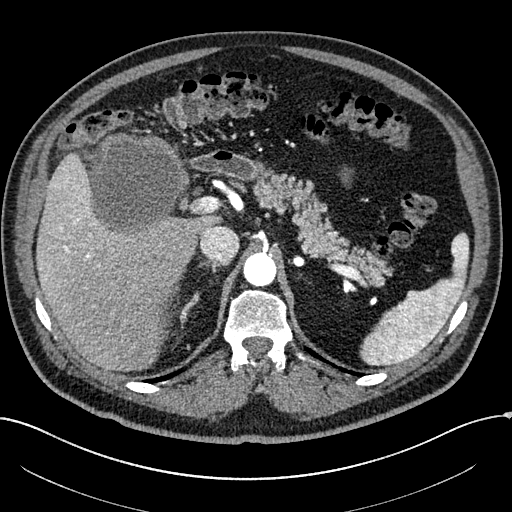
One axial slice (178 of 304, counting up from the lowest) of an arterial-phase abdominal CT acquired with 100 kVp, kernel I30f; each pixel is 0.809 mm and the slice is 2.00 mm thick.
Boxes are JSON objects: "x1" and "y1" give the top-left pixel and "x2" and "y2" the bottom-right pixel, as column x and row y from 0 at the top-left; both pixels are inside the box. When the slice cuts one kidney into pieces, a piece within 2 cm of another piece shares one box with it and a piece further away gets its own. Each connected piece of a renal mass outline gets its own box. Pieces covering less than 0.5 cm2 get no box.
Box {"x1": 78, "y1": 132, "x2": 189, "y2": 238}: right renal mass (outlined area 8,593 px, about 56.2 cm2); this slice has no kidney outline, though on another slice the same outlined renal mass lies within 1 cm of the kidney.